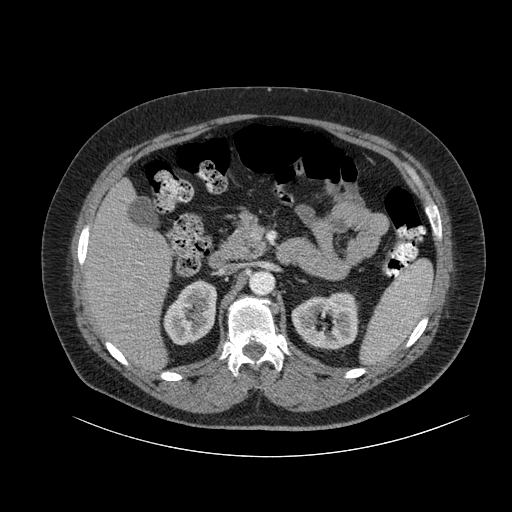
Abdominal CT with intravenous contrast, axial plane, 120 kVp, kernel B. Slice 59/105 from the bottom of the scan; thickness 3.00 mm; pixel size 0.977 mm.
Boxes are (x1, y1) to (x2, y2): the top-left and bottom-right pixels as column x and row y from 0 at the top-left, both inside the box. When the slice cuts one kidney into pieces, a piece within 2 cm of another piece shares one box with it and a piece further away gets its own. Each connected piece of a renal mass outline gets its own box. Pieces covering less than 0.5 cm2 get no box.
Two boxes on this slice (two kidney boxes), listed by box centre from the image's left to its right. (1) Right kidney from (163, 279) to (217, 345) (outlined area 2,579 px, about 24.6 cm2). (2) Box (291, 290) to (359, 350): left kidney (outlined area 3,039 px, about 29.0 cm2). No renal mass is outlined on this slice.